One axial slice (149 of 470, counting up from the lowest) of an arterial-phase abdominal CT acquired with 120 kVp, kernel I26f; each pixel is 0.938 mm and the slice is 1.00 mm thick.
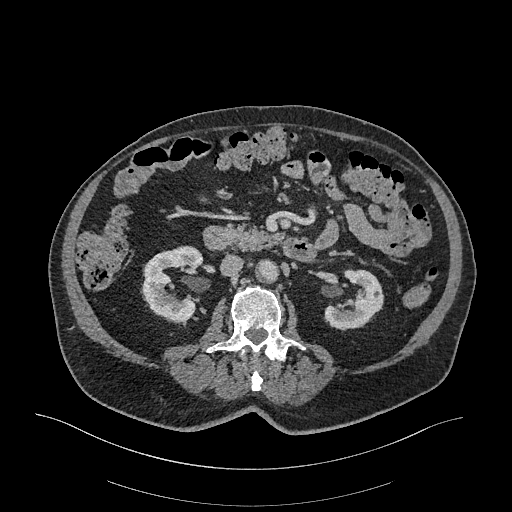
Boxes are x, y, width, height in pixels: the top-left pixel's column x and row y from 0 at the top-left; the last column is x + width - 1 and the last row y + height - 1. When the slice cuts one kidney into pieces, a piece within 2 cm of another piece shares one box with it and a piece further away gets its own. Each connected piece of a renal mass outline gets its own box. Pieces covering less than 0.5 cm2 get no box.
Two kidney boxes on this slice; by box centre, from the image's left to its right: (1) Right kidney at x 140, y 245, width 64, height 79 (outlined area 3,324 px, about 29.2 cm2). (2) Left kidney at x 324, y 269, width 60, height 62 (outlined area 2,404 px, about 21.1 cm2). No renal mass outline on this slice.